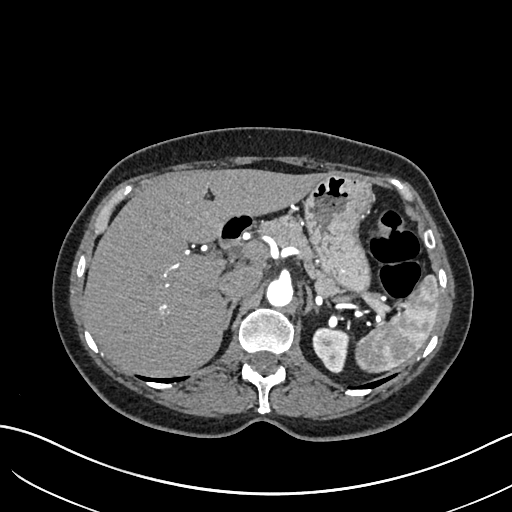
One axial slice (466 of 683, counting up from the lowest) of an arterial-phase abdominal CT acquired with 120 kVp, kernel I30f; each pixel is 0.738 mm and the slice is 1.00 mm thick.
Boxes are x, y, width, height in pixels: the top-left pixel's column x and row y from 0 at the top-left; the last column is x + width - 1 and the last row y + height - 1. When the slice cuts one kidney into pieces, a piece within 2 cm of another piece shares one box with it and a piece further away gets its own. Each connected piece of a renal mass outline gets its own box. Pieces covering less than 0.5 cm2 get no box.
Left kidney, box x 312, y 327, width 39, height 47 (outlined area 1,307 px, about 7.1 cm2). This slice carries no renal mass outline.